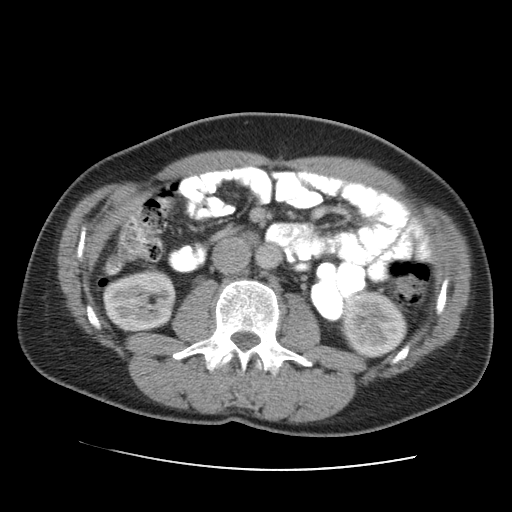
Axial slice 63 of 105 of a contrast-enhanced abdominal CT in the arterial phase (slice 1 is the lowest), 120 kVp, kernel STANDARD; 5.00 mm slice thickness and 0.707 mm pixels.
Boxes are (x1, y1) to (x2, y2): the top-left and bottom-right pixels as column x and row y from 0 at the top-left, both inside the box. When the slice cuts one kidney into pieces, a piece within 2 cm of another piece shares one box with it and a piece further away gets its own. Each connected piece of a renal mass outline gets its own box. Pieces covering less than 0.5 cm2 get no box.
Two boxes on this slice (two kidney boxes), listed by box centre from the image's left to its right. (1) Right kidney, box (102, 269) to (176, 332) (outlined area 3,688 px, about 18.4 cm2). (2) Box (339, 289) to (407, 360): left kidney (outlined area 3,569 px, about 17.8 cm2). No renal mass is outlined on this slice.